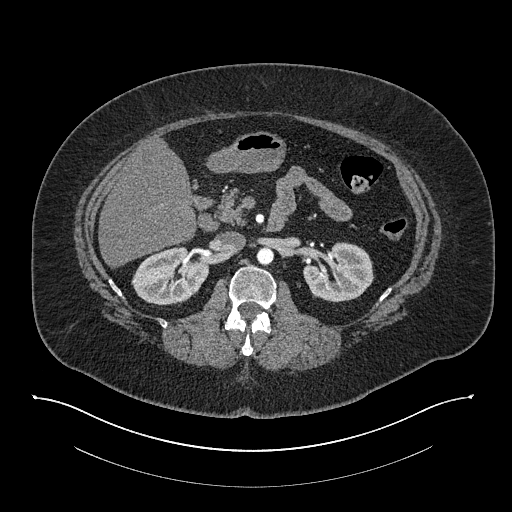
Abdominal CT with intravenous contrast, arterial phase, axial plane, 140 kVp, kernel I30f. Slice 481/673 from the bottom of the scan; thickness 1.00 mm; pixel size 0.957 mm.
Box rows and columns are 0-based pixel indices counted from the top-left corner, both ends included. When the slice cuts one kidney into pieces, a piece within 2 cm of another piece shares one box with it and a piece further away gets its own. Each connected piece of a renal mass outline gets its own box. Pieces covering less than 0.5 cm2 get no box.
Two kidney boxes on this slice; by box centre, from the image's left to its right: (1) Right kidney, box rows 246–305, columns 131–209 (outlined area 3,354 px, about 30.7 cm2). (2) Left kidney, box rows 242–302, columns 303–374 (outlined area 3,162 px, about 29.0 cm2). This slice carries no renal mass outline.